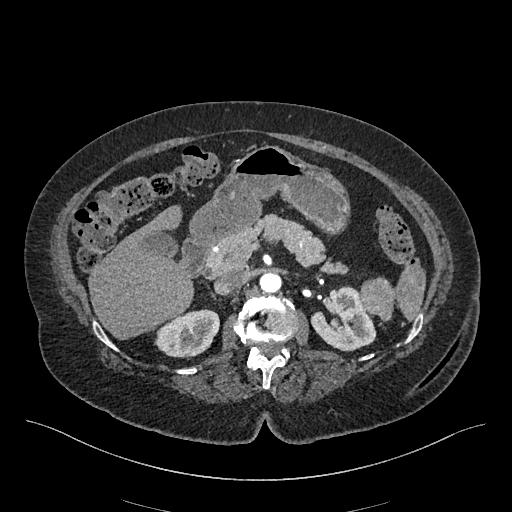
Axial slice 289 of 548 of a contrast-enhanced abdominal CT in the arterial phase (slice 1 is the lowest), 120 kVp, kernel I26f; 1.00 mm slice thickness and 0.852 mm pixels.
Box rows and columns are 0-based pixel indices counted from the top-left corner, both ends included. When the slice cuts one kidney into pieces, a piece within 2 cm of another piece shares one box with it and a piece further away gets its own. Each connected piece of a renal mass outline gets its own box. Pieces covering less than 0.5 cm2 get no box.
Boxed on this slice (two kidney boxes and one renal mass box), listed by box centre from the image's left to its right: (1) Right kidney at rows 309–357, columns 154–219 (outlined area 2,322 px, about 16.8 cm2). (2) Box rows 286–351, columns 310–376: left kidney (outlined area 2,875 px, about 20.8 cm2). (3) Left renal mass, box rows 277–321, columns 359–395 (outlined area 1,222 px, about 8.9 cm2).